Abdominal CT with intravenous contrast, axial plane, 100 kVp, kernel I30f. Slice 90/178 from the bottom of the scan; thickness 5.00 mm; pixel size 0.650 mm.
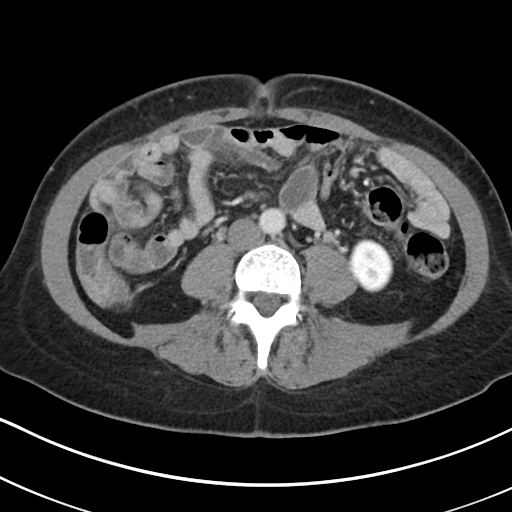
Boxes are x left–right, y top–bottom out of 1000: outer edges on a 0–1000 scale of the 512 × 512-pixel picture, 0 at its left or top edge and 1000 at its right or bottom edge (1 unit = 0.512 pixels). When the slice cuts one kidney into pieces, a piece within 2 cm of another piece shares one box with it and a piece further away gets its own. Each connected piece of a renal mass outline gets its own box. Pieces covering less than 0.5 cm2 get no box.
Box x 680–770, y 465–572 out of 1000: left kidney (outlined area 1,869 px, about 7.9 cm2). No renal mass is outlined on this slice.